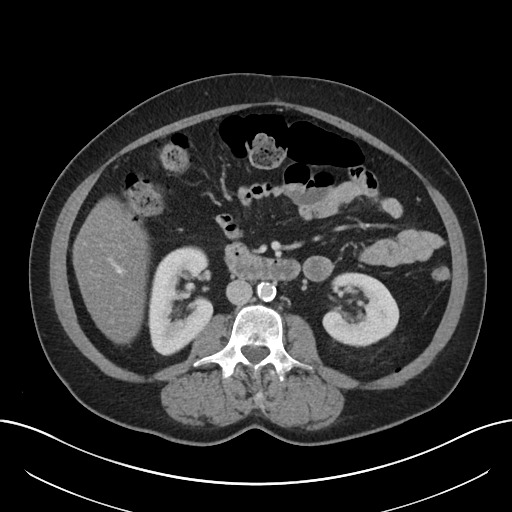
Abdominal CT with intravenous contrast, axial plane, 120 kVp, kernel I30f. Slice 108/197 from the bottom of the scan; thickness 5.00 mm; pixel size 0.791 mm.
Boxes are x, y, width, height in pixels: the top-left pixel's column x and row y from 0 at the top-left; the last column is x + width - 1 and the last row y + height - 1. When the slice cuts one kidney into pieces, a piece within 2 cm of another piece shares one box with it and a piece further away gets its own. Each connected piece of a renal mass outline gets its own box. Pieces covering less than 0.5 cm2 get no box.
Two kidney boxes on this slice; by box centre, from the image's left to its right: (1) Right kidney at x 148, y 246, width 66, height 110 (outlined area 5,281 px, about 33.0 cm2). (2) Box x 323, y 272, width 77, height 76: left kidney (outlined area 4,191 px, about 26.2 cm2). No renal mass is outlined on this slice.